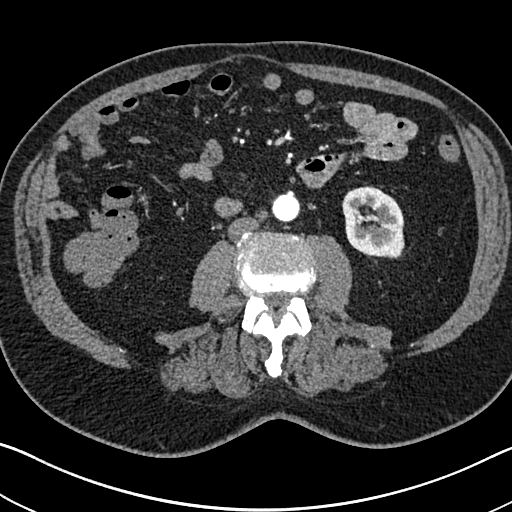
Abdominal CT with intravenous contrast, arterial phase, axial plane, 120 kVp, kernel I30f. Slice 319/705 from the bottom of the scan; thickness 1.00 mm; pixel size 0.703 mm.
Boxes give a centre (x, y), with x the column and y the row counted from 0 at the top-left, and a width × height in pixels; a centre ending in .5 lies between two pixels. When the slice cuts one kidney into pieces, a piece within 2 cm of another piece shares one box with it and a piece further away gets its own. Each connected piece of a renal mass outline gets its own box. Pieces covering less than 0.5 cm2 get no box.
Box centre (373, 222), 63 × 73 pixels: left kidney (outlined area 3,615 px, about 17.9 cm2). No renal mass is outlined on this slice.